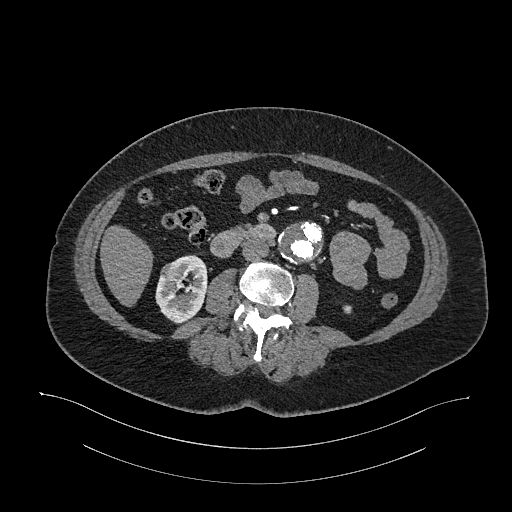
Axial slice 575 of 987 of a contrast-enhanced abdominal CT in the arterial phase (slice 1 is the lowest), 120 kVp, kernel I26f; 1.00 mm slice thickness and 0.977 mm pixels.
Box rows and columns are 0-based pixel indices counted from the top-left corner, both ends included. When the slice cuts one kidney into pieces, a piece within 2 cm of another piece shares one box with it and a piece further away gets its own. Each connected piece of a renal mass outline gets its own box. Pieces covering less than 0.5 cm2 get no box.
Boxed on this slice (two kidney boxes and one renal mass box), listed by box centre from the image's left to its right: (1) Right renal mass at rows 261–283, columns 159–185 (outlined area 440 px, about 4.2 cm2). (2) Box rows 255–323, columns 155–207: right kidney (outlined area 2,270 px, about 21.6 cm2). (3) Left kidney, box rows 305–313, columns 343–351 (outlined area 68 px, about 0.6 cm2).